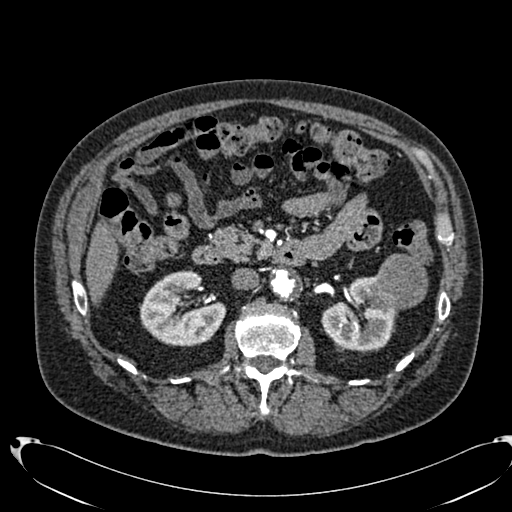
Arterial-phase contrast-enhanced abdominal CT, axial slice 421 of 553 (counted from the lowest slice); tube voltage 120 kVp, convolution kernel B20f; slices 1.00 mm thick, 0.773 mm per pixel.
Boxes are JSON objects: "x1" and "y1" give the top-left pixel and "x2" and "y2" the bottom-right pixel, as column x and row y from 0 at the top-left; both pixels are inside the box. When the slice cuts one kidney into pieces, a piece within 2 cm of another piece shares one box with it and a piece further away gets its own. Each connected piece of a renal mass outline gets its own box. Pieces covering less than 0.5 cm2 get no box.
Three boxes on this slice (two kidney boxes and one renal mass box), listed by box centre from the image's left to its right. (1) Right kidney at {"x1": 139, "y1": 270, "x2": 226, "y2": 346} (outlined area 4,626 px, about 27.7 cm2). (2) Left kidney at {"x1": 321, "y1": 276, "x2": 398, "y2": 351} (outlined area 3,607 px, about 21.6 cm2). (3) Left renal mass at {"x1": 373, "y1": 253, "x2": 428, "y2": 309} (outlined area 2,467 px, about 14.8 cm2).